One axial slice (111 of 326, counting up from the lowest) of an arterial-phase abdominal CT acquired with 120 kVp, kernel B31f; each pixel is 0.963 mm and the slice is 2.00 mm thick.
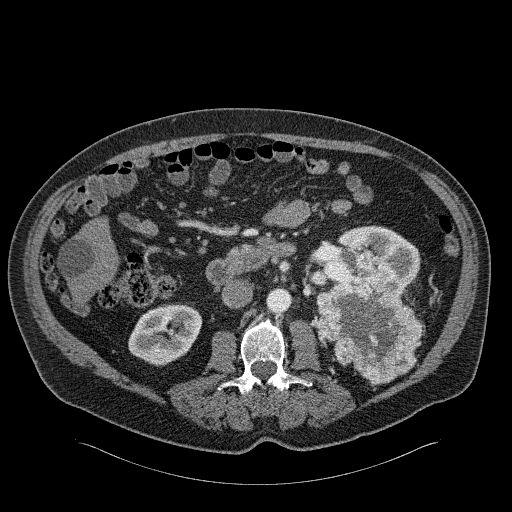
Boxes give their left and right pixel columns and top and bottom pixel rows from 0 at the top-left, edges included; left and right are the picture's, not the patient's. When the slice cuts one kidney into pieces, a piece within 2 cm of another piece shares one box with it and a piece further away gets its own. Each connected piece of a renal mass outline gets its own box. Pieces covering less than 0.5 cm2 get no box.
Three boxes on this slice (two kidney boxes and one renal mass box), listed by box centre from the image's left to its right. (1) Right kidney in the box with left 128, top 304, right 201, bottom 365 (outlined area 3,333 px, about 30.9 cm2). (2) Box with left 316, top 249, right 421, bottom 383: left renal mass (outlined area 8,790 px, about 81.5 cm2). (3) Left kidney in the box with left 319, top 225, right 420, bottom 295 (outlined area 3,946 px, about 36.6 cm2).